Abdominal CT with intravenous contrast, arterial phase, axial plane, 140 kVp, kernel I30f. Slice 367/673 from the bottom of the scan; thickness 1.00 mm; pixel size 0.957 mm.
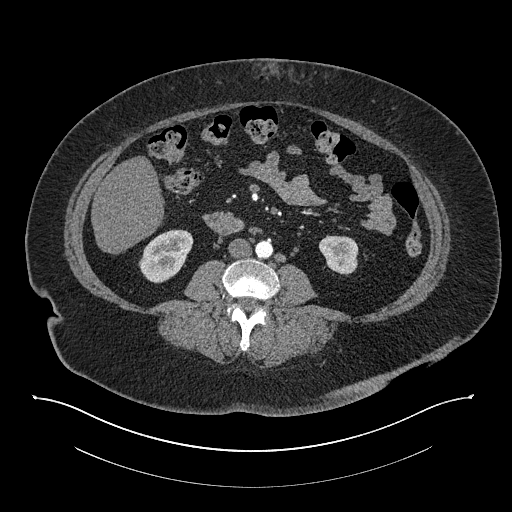
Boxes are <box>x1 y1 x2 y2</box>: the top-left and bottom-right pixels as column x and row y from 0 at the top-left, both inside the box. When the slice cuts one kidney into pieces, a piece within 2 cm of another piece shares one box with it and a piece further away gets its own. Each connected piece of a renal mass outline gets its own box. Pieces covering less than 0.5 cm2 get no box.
Two boxes on this slice (two kidney boxes), listed by box centre from the image's left to its right. (1) Right kidney: <box>138 229 193 283</box> (outlined area 2,061 px, about 18.9 cm2). (2) Left kidney: <box>319 235 358 275</box> (outlined area 1,231 px, about 11.3 cm2). No renal mass is outlined on this slice.